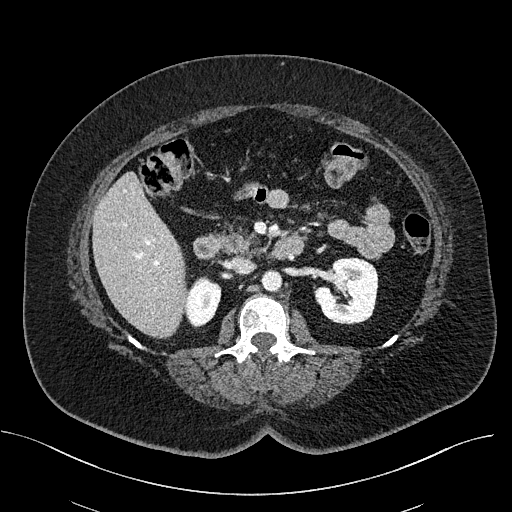
Contrast-enhanced abdominal CT, axial slice 303 of 470 (counted from the lowest slice); tube voltage 100 kVp, convolution kernel I40f; slices 2.00 mm thick, 0.824 mm per pixel.
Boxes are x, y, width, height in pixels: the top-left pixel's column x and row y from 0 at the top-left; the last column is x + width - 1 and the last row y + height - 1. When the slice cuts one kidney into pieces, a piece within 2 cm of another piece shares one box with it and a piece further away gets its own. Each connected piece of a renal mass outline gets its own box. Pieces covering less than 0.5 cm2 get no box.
Boxed on this slice (two kidney boxes), listed by box centre from the image's left to its right: (1) Right kidney at x 181, y 276, width 41, height 51 (outlined area 1,483 px, about 10.1 cm2). (2) Left kidney at x 313, y 257, width 66, height 68 (outlined area 3,322 px, about 22.6 cm2). No renal mass is outlined on this slice.